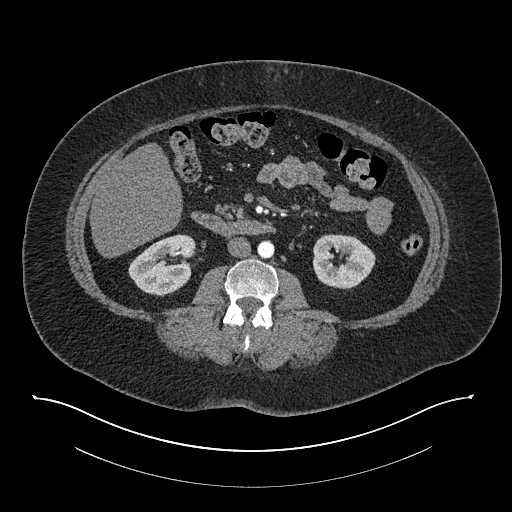
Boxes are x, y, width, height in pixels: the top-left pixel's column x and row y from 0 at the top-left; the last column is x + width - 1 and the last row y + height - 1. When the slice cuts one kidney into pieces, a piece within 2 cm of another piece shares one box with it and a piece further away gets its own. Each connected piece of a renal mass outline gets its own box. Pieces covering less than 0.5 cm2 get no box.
This is axial slice 411 of 673 (slice 1 is the lowest) of an arterial-phase abdominal CT with contrast; each pixel is 0.957 mm and the slice is 1.00 mm thick. Two kidney boxes on this slice; by box centre, from the image's left to its right: (1) Right kidney at x 128, y 234, width 69, height 63 (outlined area 2,992 px, about 27.4 cm2). (2) Left kidney, box x 312, y 234, width 64, height 56 (outlined area 2,671 px, about 24.5 cm2). No renal mass is outlined on this slice.
Acquired at 140 kVp and reconstructed with the I30f kernel.